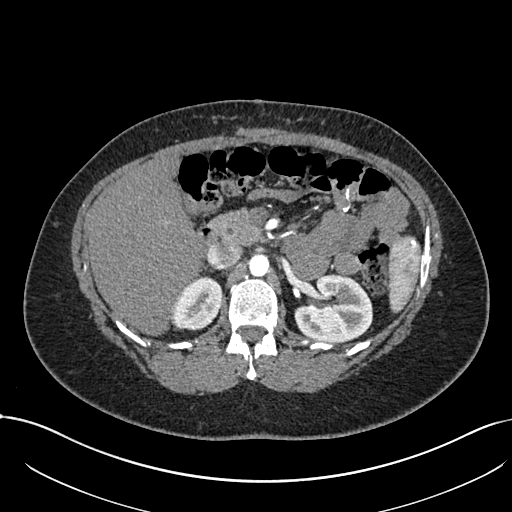
Axial slice 475 of 738 of a contrast-enhanced abdominal CT in the arterial phase (slice 1 is the lowest), 120 kVp, kernel I30f; 1.00 mm slice thickness and 0.789 mm pixels.
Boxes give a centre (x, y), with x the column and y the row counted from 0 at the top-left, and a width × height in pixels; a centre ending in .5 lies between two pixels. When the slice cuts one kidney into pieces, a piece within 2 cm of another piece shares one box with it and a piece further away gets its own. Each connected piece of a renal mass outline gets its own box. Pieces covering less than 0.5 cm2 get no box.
Boxed on this slice (two kidney boxes), listed by box centre from the image's left to its right: (1) Right kidney, box centre (196, 303), 51 × 55 pixels (outlined area 2,104 px, about 13.1 cm2). (2) Left kidney, box centre (333, 308), 79 × 67 pixels (outlined area 4,095 px, about 25.5 cm2). No renal mass outline on this slice.